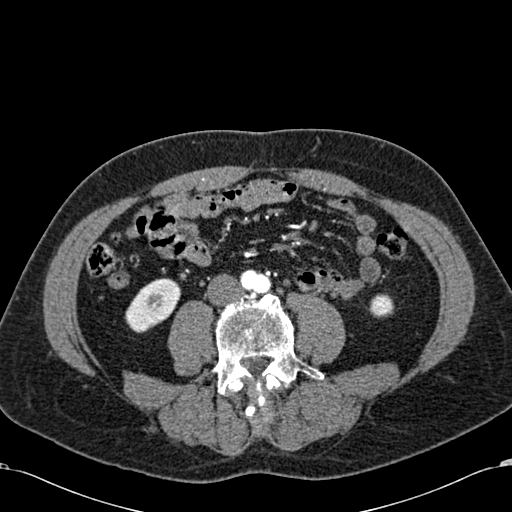
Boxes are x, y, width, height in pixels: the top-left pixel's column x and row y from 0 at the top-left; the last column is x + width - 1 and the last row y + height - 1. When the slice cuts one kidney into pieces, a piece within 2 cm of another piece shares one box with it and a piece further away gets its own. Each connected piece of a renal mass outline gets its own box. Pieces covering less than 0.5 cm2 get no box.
Slice 213/581 of a contrast-enhanced abdominal CT in the arterial phase, counting up from the lowest; pixel size 0.713 mm, slice thickness 1.00 mm. Two kidney boxes on this slice; by box centre, from the image's left to its right: (1) Right kidney at x 125, y 278, width 57, height 55 (outlined area 2,039 px, about 10.4 cm2). (2) Left kidney, box x 369, y 294, width 26, height 24 (outlined area 487 px, about 2.5 cm2). No renal mass is outlined on this slice.
Scan settings: 120 kVp, B30f reconstruction kernel.